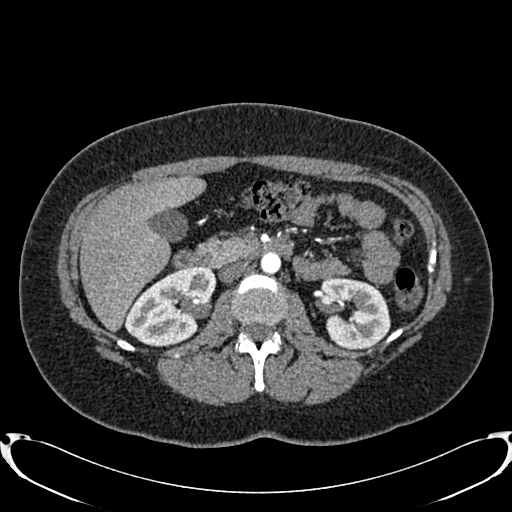
Arterial-phase contrast-enhanced abdominal CT, axial slice 465 of 719 (counted from the lowest slice); tube voltage 120 kVp, convolution kernel B20f; slices 1.00 mm thick, 0.766 mm per pixel.
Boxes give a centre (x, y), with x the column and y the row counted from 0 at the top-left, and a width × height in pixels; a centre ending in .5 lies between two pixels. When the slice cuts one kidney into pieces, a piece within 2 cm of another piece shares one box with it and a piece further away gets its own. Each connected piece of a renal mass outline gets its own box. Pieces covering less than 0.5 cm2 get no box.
Two kidney boxes on this slice; by box centre, from the image's left to its right: (1) Right kidney, box centre (169, 306), 91 × 81 pixels (outlined area 5,034 px, about 29.5 cm2). (2) Box centre (354.5, 313), 72 × 73 pixels: left kidney (outlined area 3,953 px, about 23.2 cm2). No renal mass is outlined on this slice.